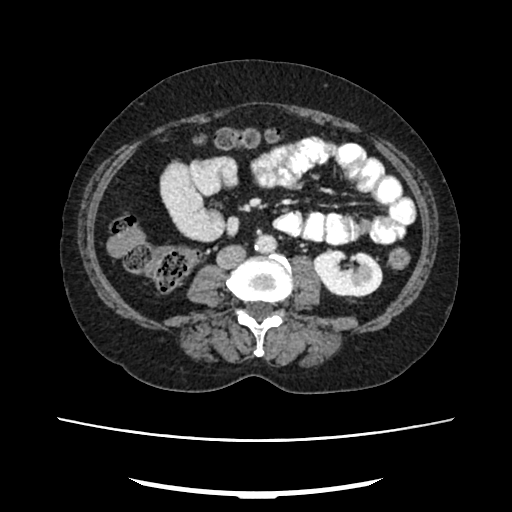
Axial slice 114 of 207 of a contrast-enhanced abdominal CT in the arterial phase (slice 1 is the lowest), 120 kVp, kernel FC18; 2.00 mm slice thickness and 0.741 mm pixels.
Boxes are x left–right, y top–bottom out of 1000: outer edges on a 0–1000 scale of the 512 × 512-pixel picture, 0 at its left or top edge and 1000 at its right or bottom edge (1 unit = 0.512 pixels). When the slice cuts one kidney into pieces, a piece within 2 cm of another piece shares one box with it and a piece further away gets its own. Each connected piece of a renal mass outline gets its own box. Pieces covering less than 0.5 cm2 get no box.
Box x 611–748, y 484–582 out of 1000: left kidney (outlined area 2,590 px, about 14.2 cm2). This slice carries no renal mass outline.